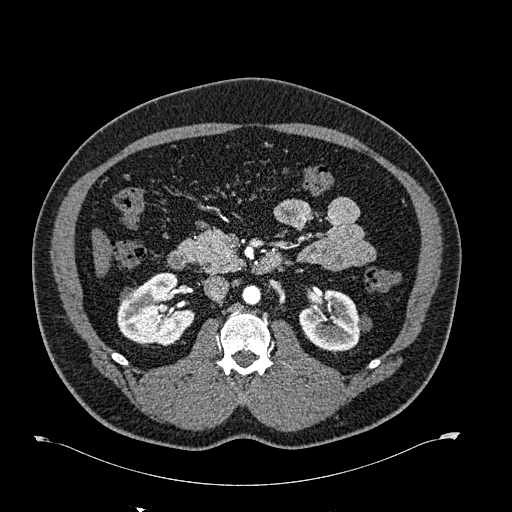
One axial slice (365 of 723, counting up from the lowest) of an arterial-phase abdominal CT acquired with 120 kVp, kernel B30f; each pixel is 0.895 mm and the slice is 1.00 mm thick.
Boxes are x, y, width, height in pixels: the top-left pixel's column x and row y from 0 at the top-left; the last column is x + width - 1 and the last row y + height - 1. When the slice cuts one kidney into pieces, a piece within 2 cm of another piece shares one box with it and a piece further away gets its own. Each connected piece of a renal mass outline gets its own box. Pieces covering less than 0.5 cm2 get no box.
Two kidney boxes and one renal mass box on this slice; by box centre, from the image's left to its right: (1) Right renal mass at x 120, y 287, width 14, height 14 (outlined area 154 px, about 1.2 cm2). (2) Right kidney, box x 117, y 272, width 79, height 74 (outlined area 3,946 px, about 31.6 cm2). (3) Left kidney at x 299, y 290, width 73, height 63 (outlined area 3,072 px, about 24.6 cm2).